Arterial-phase contrast-enhanced abdominal CT, axial slice 539 of 987 (counted from the lowest slice); tube voltage 120 kVp, convolution kernel I26f; slices 1.00 mm thick, 0.977 mm per pixel.
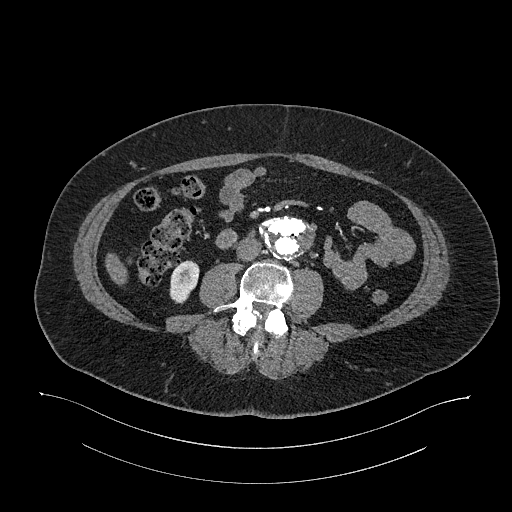
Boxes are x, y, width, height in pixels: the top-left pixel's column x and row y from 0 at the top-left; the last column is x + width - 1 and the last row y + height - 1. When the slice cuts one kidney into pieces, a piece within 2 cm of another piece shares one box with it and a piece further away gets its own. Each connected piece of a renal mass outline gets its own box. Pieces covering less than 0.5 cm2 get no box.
Right kidney at x 169, y 260, width 31, height 44 (outlined area 970 px, about 9.3 cm2). This slice carries no renal mass outline.